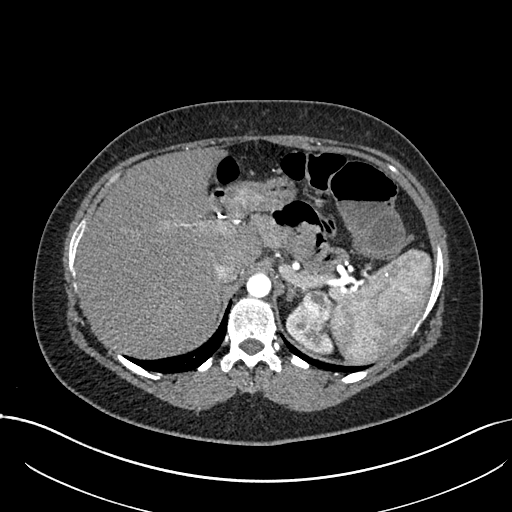
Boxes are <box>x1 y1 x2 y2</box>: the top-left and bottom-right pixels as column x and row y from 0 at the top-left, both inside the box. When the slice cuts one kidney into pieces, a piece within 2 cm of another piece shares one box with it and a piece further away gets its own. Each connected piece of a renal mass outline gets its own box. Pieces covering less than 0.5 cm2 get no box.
This is axial slice 562 of 738 (slice 1 is the lowest) of an arterial-phase abdominal CT with contrast; each pixel is 0.789 mm and the slice is 1.00 mm thick. Boxed on this slice (one kidney box and one renal mass box), listed by box centre from the image's left to its right: (1) Left kidney: <box>285 309 333 353</box> (outlined area 951 px, about 5.9 cm2). (2) Left renal mass: <box>294 289 331 332</box> (outlined area 1,184 px, about 7.4 cm2).
Tube voltage 120 kVp; convolution kernel I30f.